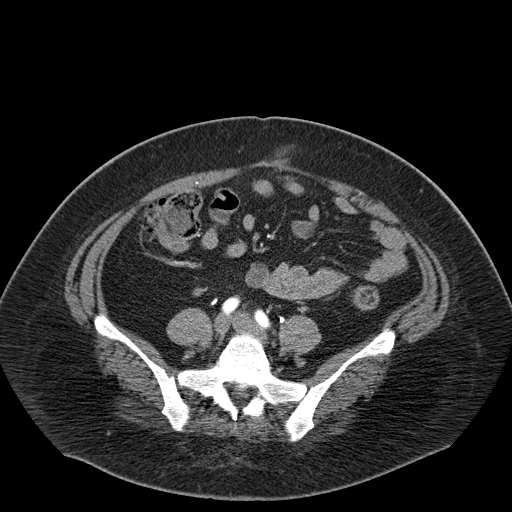
Contrast-enhanced abdominal CT, axial slice 17 of 55 (counted from the lowest slice); 5.00 mm thick, 0.908 mm per pixel. This slice carries no outline: it lies beyond the outlined kidneys and beyond every outlined renal mass. Other organs are not outlined in this scan.
Scan settings: 120 kVp, B30f reconstruction kernel.